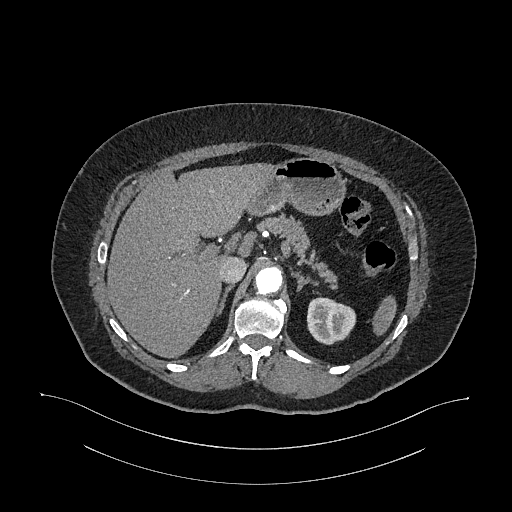
Arterial-phase contrast-enhanced abdominal CT, axial slice 775 of 987 (counted from the lowest slice); tube voltage 120 kVp, convolution kernel I26f; slices 1.00 mm thick, 0.977 mm per pixel.
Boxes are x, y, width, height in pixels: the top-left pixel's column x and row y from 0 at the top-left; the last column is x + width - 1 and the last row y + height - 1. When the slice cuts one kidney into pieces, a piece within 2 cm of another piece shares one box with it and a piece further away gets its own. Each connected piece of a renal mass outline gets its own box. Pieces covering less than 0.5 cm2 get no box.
Left kidney at x 306, y 297, width 50, height 48 (outlined area 1,826 px, about 17.4 cm2). No renal mass is outlined on this slice.